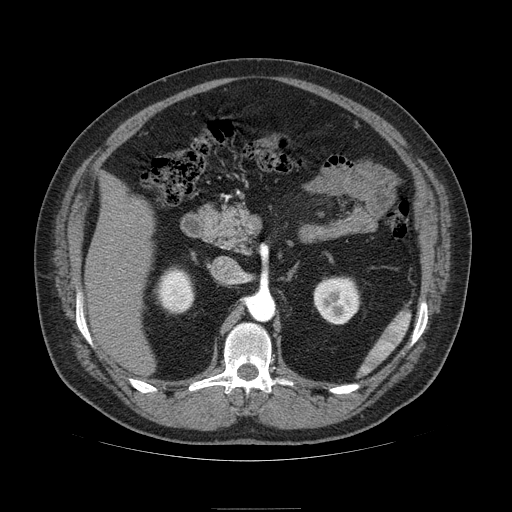
Abdominal CT with intravenous contrast, arterial phase, axial plane, 120 kVp, kernel STANDARD. Slice 63/121 from the bottom of the scan; thickness 2.50 mm; pixel size 0.861 mm.
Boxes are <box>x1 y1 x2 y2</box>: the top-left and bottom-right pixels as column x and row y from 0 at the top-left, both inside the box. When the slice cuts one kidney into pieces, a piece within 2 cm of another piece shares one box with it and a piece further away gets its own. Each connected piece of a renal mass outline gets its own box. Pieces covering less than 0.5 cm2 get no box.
Two kidney boxes on this slice; by box centre, from the image's left to its right: (1) At <box>156 268 194 313</box>: right kidney (outlined area 1,353 px, about 10.0 cm2). (2) Left kidney: <box>313 277 359 324</box> (outlined area 1,765 px, about 13.1 cm2). No renal mass outline on this slice.